Abdominal CT with intravenous contrast, arterial phase, axial plane, 120 kVp, kernel B30f. Slice 435/723 from the bottom of the scan; thickness 1.00 mm; pixel size 0.895 mm.
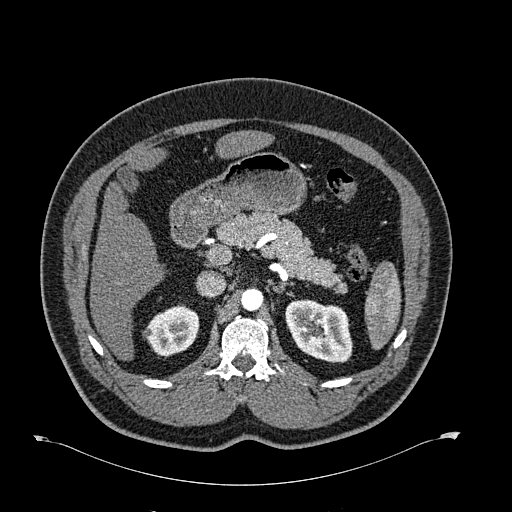
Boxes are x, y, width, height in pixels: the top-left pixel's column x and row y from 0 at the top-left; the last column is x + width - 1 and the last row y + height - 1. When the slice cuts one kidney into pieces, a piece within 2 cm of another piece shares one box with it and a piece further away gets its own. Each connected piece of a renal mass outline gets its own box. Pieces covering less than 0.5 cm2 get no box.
Two boxes on this slice (two kidney boxes), listed by box centre from the image's left to its right. (1) Right kidney at x 142, y 303, width 57, height 54 (outlined area 2,118 px, about 16.9 cm2). (2) Left kidney at x 285, y 299, width 68, height 65 (outlined area 3,311 px, about 26.5 cm2). No renal mass is outlined on this slice.